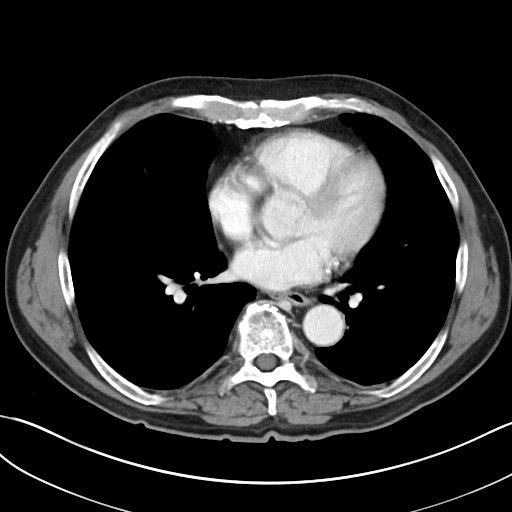
Axial slice 195 of 269 of a contrast-enhanced abdominal CT (slice 1 is the lowest), 100 kVp, kernel I30f; 5.00 mm slice thickness and 0.732 mm pixels.
Outside the outlined region: no kidney outline and no renal mass outline on this slice. The scan's outlines cover only kidneys and renal masses; no other organ is outlined.